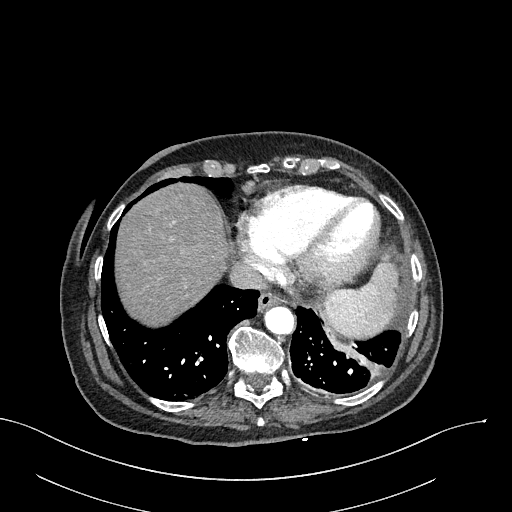
Axial slice 268 of 316 of a contrast-enhanced abdominal CT in the arterial phase (slice 1 is the lowest), 100 kVp, kernel I40f; 2.00 mm slice thickness and 0.840 mm pixels.
Neither a kidney nor a renal mass is outlined here. Only kidneys and renal masses are outlined anywhere in this scan; other structures are never outlined.